Axial slice 33 of 195 of a contrast-enhanced abdominal CT in the arterial phase (slice 1 is the lowest), 100 kVp, kernel I31f; 1.50 mm slice thickness and 0.707 mm pixels.
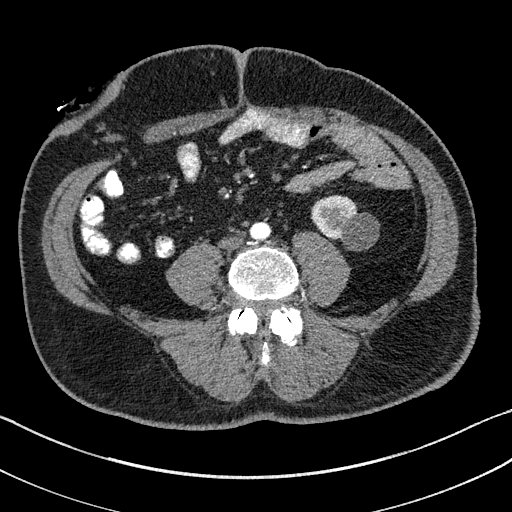
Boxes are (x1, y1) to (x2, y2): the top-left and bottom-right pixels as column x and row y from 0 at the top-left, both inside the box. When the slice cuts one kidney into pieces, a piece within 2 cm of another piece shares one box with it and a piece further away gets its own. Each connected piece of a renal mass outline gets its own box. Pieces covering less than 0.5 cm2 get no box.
Left kidney from (311, 195) to (377, 249) (outlined area 2,419 px, about 12.1 cm2). No renal mass outline on this slice.